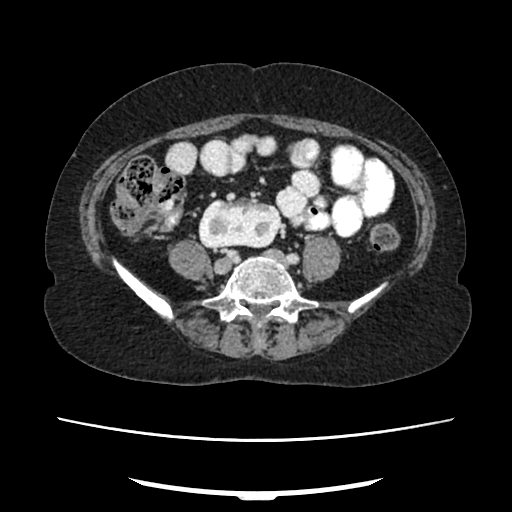
Axial slice 91 of 207 of a contrast-enhanced abdominal CT in the arterial phase (slice 1 is the lowest), 120 kVp, kernel FC18; 2.00 mm slice thickness and 0.741 mm pixels.
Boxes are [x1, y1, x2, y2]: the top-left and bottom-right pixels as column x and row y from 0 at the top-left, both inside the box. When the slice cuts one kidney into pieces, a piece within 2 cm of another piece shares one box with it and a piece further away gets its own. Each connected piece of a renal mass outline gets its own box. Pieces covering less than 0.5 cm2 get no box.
Right kidney, box [198, 196, 281, 248] (outlined area 3,578 px, about 19.6 cm2). This slice carries no renal mass outline.